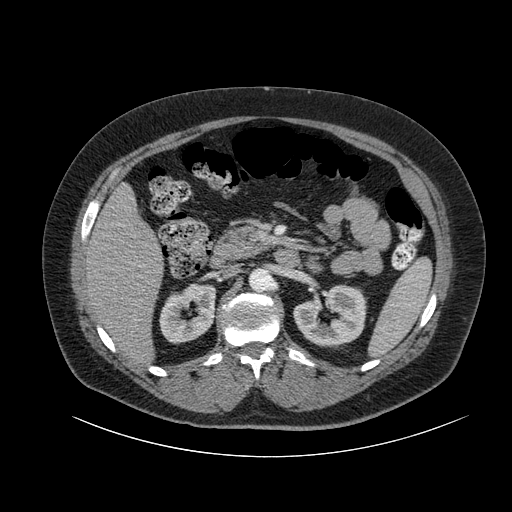
Contrast-enhanced abdominal CT, axial slice 55 of 105 (counted from the lowest slice); tube voltage 120 kVp, convolution kernel B; slices 3.00 mm thick, 0.977 mm per pixel.
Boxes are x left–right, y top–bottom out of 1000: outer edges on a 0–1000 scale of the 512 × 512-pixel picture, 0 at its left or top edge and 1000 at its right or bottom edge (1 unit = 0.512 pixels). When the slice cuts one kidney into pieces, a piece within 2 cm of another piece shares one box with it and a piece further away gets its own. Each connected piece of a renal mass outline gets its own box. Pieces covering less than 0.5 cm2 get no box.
Two kidney boxes on this slice; by box centre, from the image's left to its right: (1) Right kidney at x 311–424, y 553–674 out of 1000 (outlined area 2,549 px, about 24.3 cm2). (2) Box x 572–719, y 555–680 out of 1000: left kidney (outlined area 3,339 px, about 31.8 cm2). No renal mass outline on this slice.